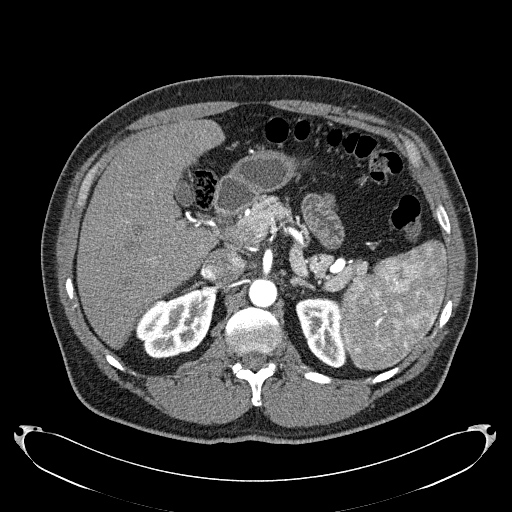
Axial slice 154 of 279 of a contrast-enhanced abdominal CT in the arterial phase (slice 1 is the lowest), 120 kVp, kernel B31f; 2.00 mm slice thickness and 0.824 mm pixels.
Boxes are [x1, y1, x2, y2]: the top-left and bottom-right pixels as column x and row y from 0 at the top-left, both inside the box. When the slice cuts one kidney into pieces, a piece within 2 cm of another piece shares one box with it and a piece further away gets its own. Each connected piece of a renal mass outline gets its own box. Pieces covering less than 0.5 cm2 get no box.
Two boxes on this slice (two kidney boxes), listed by box centre from the image's left to its right. (1) Right kidney at [135, 287, 216, 358] (outlined area 4,031 px, about 27.4 cm2). (2) Left kidney, box [295, 297, 346, 367] (outlined area 2,565 px, about 17.4 cm2). This slice carries no renal mass outline.